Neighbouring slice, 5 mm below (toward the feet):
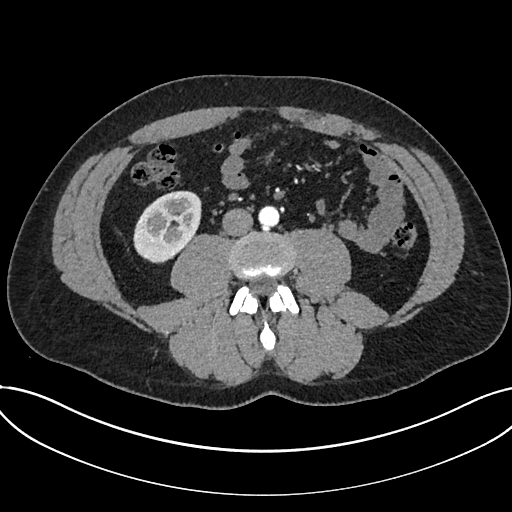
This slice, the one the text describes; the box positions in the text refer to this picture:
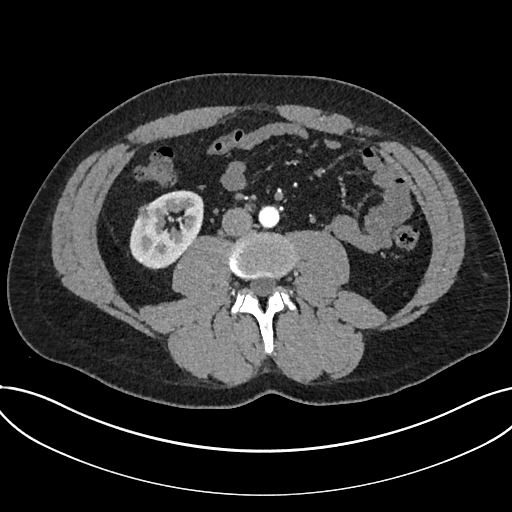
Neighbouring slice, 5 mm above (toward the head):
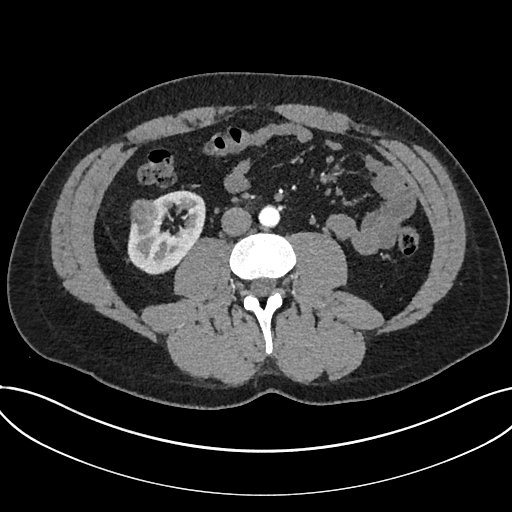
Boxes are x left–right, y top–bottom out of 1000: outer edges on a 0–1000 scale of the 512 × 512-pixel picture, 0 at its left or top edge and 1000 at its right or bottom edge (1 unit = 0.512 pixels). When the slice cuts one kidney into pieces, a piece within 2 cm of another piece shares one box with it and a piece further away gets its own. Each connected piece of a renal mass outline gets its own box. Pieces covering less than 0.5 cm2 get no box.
Slice 313/735 of a contrast-enhanced abdominal CT in the arterial phase, counting up from the lowest; pixel size 0.789 mm, slice thickness 1.00 mm. Boxed on this slice (one kidney box and one renal mass box), listed by box centre from the image's left to its right: (1) Box x 270–309, y 395–432 out of 1000: renal mass (outlined area 278 px, about 1.7 cm2). (2) Box x 252–398, y 371–525 out of 1000: kidney (outlined area 3,920 px, about 24.4 cm2). This slice is near the end of a renal mass toward the feet, so the slices 5 mm below and 5 mm above it are shown as well; the boxes refer to this slice only.
Scan settings: 120 kVp, I30f reconstruction kernel.